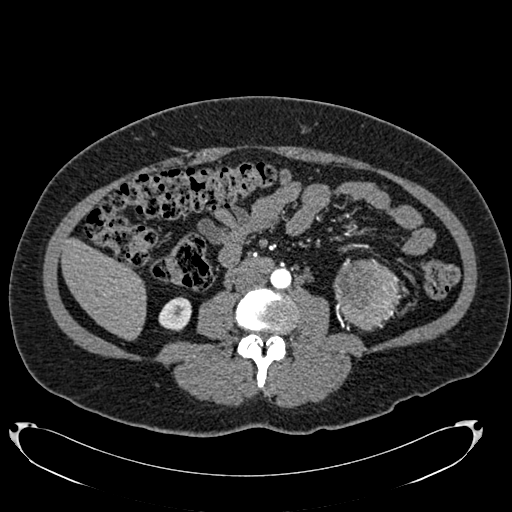
One axial slice (328 of 634, counting up from the lowest) of an arterial-phase abdominal CT acquired with 120 kVp, kernel B20f; each pixel is 0.838 mm and the slice is 1.00 mm thick.
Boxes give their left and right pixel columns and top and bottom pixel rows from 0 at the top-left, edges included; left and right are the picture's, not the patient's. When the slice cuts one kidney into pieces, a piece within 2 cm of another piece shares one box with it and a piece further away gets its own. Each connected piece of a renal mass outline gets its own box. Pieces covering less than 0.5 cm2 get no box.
Two boxes on this slice (one kidney box and one renal mass box), listed by box centre from the image's left to its right. (1) Box with left 158, top 297, right 191, bottom 331: right kidney (outlined area 877 px, about 6.2 cm2). (2) Left renal mass, the box with left 333, top 258, right 404, bottom 330 (outlined area 3,798 px, about 26.7 cm2); here it is more than 1 cm from any kidney outline, though on another slice the same outlined renal mass lies within 1 cm of the kidney.